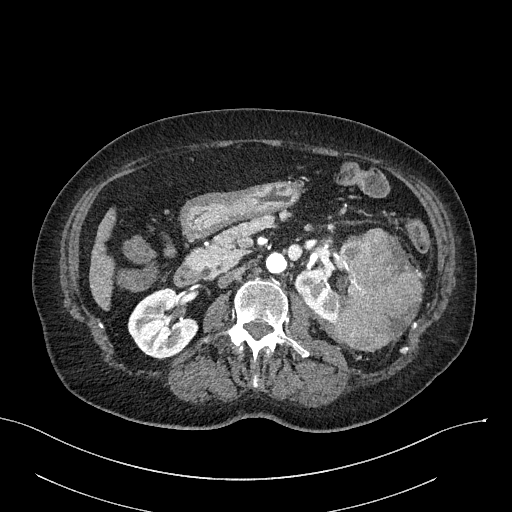
One axial slice (131 of 316, counting up from the lowest) of an arterial-phase abdominal CT acquired with 100 kVp, kernel I40f; each pixel is 0.840 mm and the slice is 2.00 mm thick.
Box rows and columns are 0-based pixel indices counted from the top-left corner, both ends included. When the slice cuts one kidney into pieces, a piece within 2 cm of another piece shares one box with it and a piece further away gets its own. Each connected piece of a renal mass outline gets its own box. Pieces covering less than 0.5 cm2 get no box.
Three boxes on this slice (two kidney boxes and one renal mass box), listed by box centre from the image's left to its right. (1) Right kidney at rows 287–358, columns 127–198 (outlined area 3,547 px, about 25.0 cm2). (2) Left kidney, box rows 246–324, columns 294–349 (outlined area 2,548 px, about 18.0 cm2). (3) Left renal mass at rows 228–350, columns 334–423 (outlined area 7,903 px, about 55.7 cm2).